Axial slice 10 of 61 of a contrast-enhanced abdominal CT (slice 1 is the lowest), 140 kVp, kernel B41f; 3.00 mm slice thickness and 0.939 mm pixels.
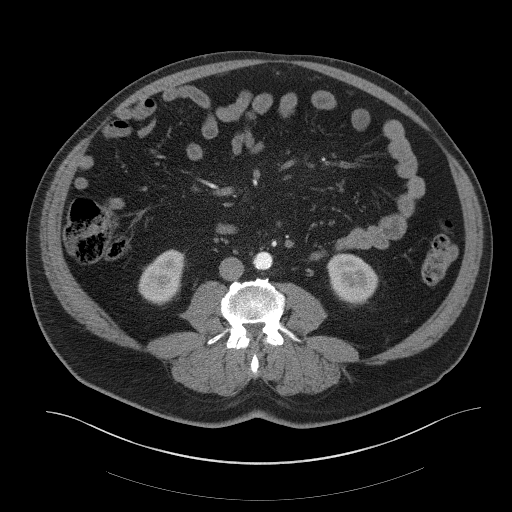
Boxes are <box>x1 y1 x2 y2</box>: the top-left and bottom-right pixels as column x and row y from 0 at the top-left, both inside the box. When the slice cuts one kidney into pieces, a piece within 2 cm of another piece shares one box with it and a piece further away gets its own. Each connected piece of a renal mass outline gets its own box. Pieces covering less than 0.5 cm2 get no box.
Two boxes on this slice (two kidney boxes), listed by box centre from the image's left to its right. (1) At <box>138 249 185 305</box>: right kidney (outlined area 1,875 px, about 16.5 cm2). (2) Left kidney: <box>326 253 378 303</box> (outlined area 1,993 px, about 17.6 cm2). No renal mass outline on this slice.